Axial slice 36 of 75 of a contrast-enhanced abdominal CT (slice 1 is the lowest), 140 kVp, kernel B30f; 3.00 mm slice thickness and 0.875 mm pixels.
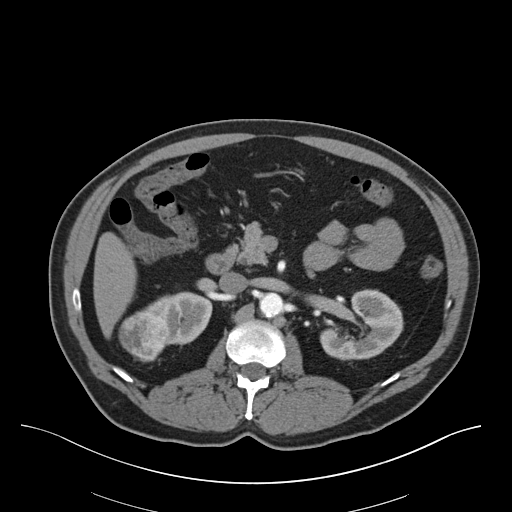
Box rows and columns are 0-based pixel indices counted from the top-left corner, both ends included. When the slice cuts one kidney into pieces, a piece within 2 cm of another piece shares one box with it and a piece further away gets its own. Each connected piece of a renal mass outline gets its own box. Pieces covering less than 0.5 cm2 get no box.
Three boxes on this slice (two kidney boxes and one renal mass box), listed by box centre from the image's left to its right. (1) Right renal mass, box rows 311–362, columns 119–170 (outlined area 2,004 px, about 15.3 cm2). (2) Right kidney at rows 291–345, columns 141–212 (outlined area 2,239 px, about 17.1 cm2). (3) Left kidney at rows 289–360, columns 319–403 (outlined area 3,991 px, about 30.6 cm2).